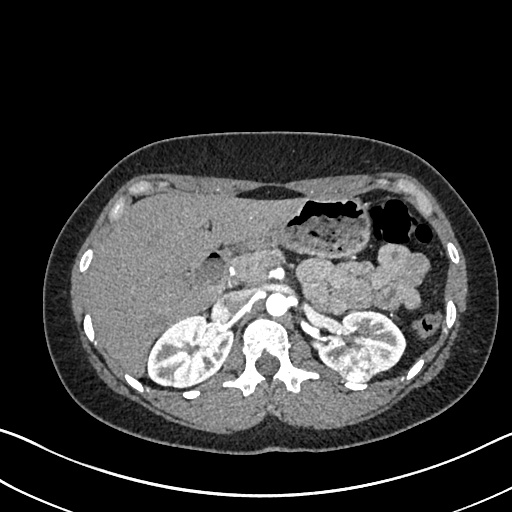
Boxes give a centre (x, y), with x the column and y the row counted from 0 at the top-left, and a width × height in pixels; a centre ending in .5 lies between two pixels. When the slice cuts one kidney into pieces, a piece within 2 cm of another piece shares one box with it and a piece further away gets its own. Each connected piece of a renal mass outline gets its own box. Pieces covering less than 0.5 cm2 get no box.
Slice 464/612 of a contrast-enhanced abdominal CT in the arterial phase, counting up from the lowest; pixel size 0.703 mm, slice thickness 1.00 mm. Two kidney boxes and one renal mass box on this slice; by box centre, from the image's left to its right: (1) Box centre (190, 351), 87 × 75 pixels: right kidney (outlined area 4,582 px, about 22.7 cm2). (2) Left renal mass in a box with centre (355.5, 363.5), 38 × 36 pixels (outlined area 1,121 px, about 5.5 cm2). (3) Box centre (361.5, 342), 90 × 67 pixels: left kidney (outlined area 3,463 px, about 17.1 cm2).
Scan settings: 120 kVp, I30f reconstruction kernel.